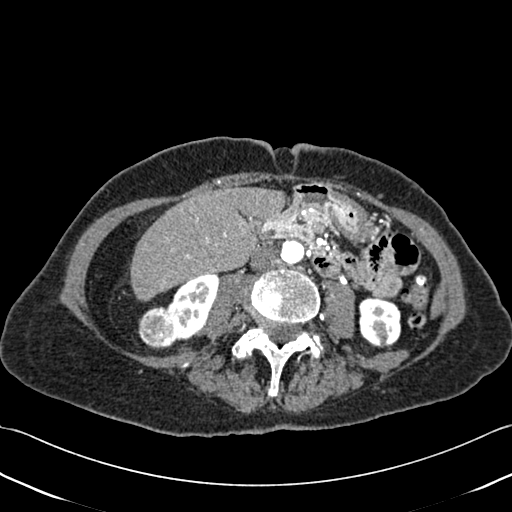
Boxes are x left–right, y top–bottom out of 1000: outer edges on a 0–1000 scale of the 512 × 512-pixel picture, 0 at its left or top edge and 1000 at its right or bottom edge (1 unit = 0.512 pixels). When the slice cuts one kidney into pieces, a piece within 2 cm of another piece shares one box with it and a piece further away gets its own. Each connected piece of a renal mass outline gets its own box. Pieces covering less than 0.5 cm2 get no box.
This is axial slice 180 of 433 (slice 1 is the lowest) of an abdominal CT with contrast; each pixel is 0.672 mm and the slice is 1.00 mm thick. Boxed on this slice (two kidney boxes and one renal mass box), listed by box centre from the image's left to its right: (1) Right renal mass at x 270–352, y 598–684 out of 1000 (outlined area 1,387 px, about 6.3 cm2). (2) Right kidney, box x 324–430, y 535–666 out of 1000 (outlined area 2,163 px, about 9.8 cm2). (3) Box x 699–785, y 580–682 out of 1000: left kidney (outlined area 1,816 px, about 8.2 cm2).
Scan settings: 120 kVp, B30f reconstruction kernel.